Arterial-phase contrast-enhanced abdominal CT, axial slice 300 of 665 (counted from the lowest slice); tube voltage 100 kVp, convolution kernel I26f; slices 1.00 mm thick, 0.828 mm per pixel.
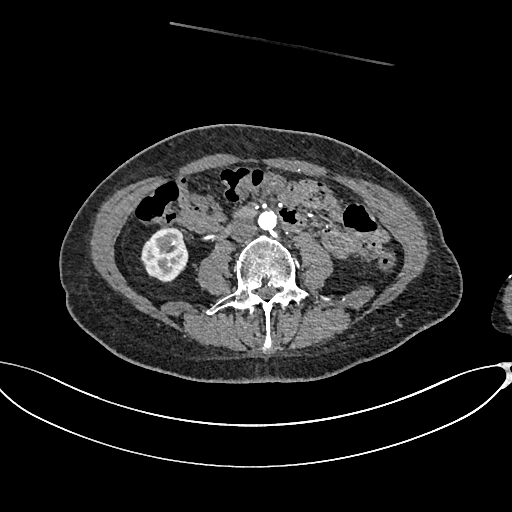
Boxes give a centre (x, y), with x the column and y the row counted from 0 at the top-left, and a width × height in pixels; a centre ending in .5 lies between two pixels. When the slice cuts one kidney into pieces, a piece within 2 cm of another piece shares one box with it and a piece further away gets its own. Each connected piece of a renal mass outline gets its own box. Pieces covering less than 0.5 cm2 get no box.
Right kidney in a box with centre (164, 254), 49 × 57 pixels (outlined area 2,035 px, about 14.0 cm2). This slice carries no renal mass outline.